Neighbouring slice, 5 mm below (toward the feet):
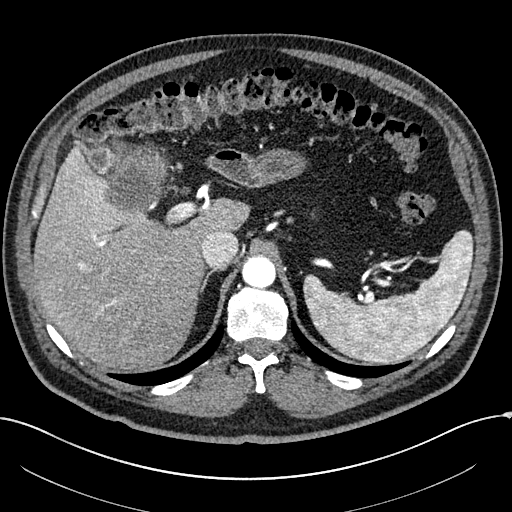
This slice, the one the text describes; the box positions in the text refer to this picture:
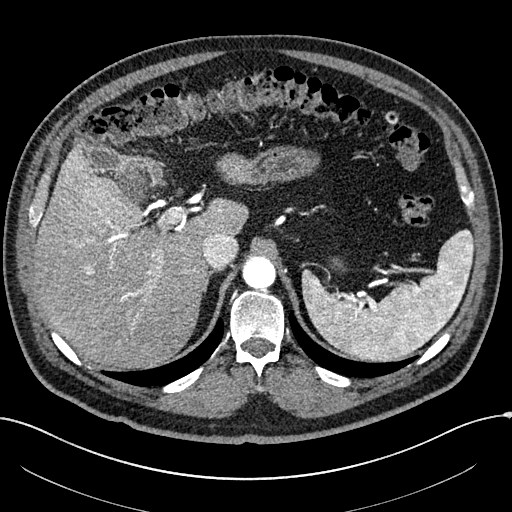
Arterial-phase contrast-enhanced abdominal CT, axial slice 197 of 304 (counted from the lowest slice); tube voltage 100 kVp, convolution kernel I30f; slices 2.00 mm thick, 0.809 mm per pixel.
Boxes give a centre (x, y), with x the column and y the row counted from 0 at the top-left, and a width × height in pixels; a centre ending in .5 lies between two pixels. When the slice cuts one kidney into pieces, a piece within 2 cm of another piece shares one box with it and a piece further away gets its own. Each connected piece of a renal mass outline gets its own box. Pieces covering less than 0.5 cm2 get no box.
Box centre (136, 181), 35 × 45 pixels: right renal mass (outlined area 1,229 px, about 8.0 cm2); no kidney is outlined on this slice, but the same outlined renal mass comes within 1 cm of the kidney on another slice. This slice is near the end of the right renal mass toward the head, so the slice 5 mm below it is shown as well; the boxes refer to this slice only.